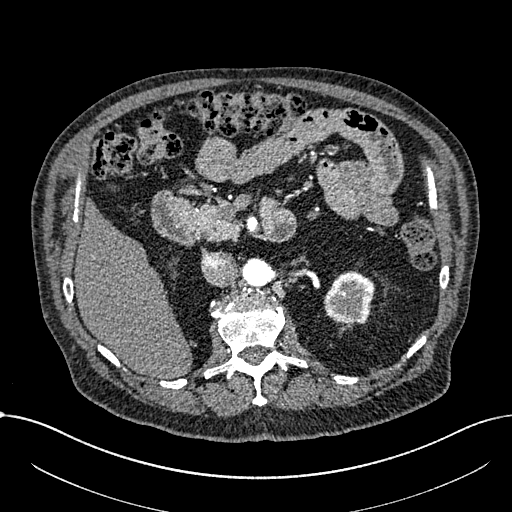
Arterial-phase contrast-enhanced abdominal CT, axial slice 438 of 1059 (counted from the lowest slice); tube voltage 100 kVp, convolution kernel I30f; slices 1.00 mm thick, 0.811 mm per pixel.
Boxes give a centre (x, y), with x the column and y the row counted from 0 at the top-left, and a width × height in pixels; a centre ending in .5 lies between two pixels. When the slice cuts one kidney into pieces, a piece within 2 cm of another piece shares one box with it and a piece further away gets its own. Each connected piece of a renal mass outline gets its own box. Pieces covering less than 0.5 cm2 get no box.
Left part of the midline-crossing kidney, box centre (348.5, 298), 52 × 55 pixels (outlined area 2,174 px, about 14.3 cm2). This slice carries no renal mass outline.